Contrast-enhanced abdominal CT, axial slice 516 of 787 (counted from the lowest slice); tube voltage 140 kVp, convolution kernel I30f; slices 1.00 mm thick, 0.910 mm per pixel.
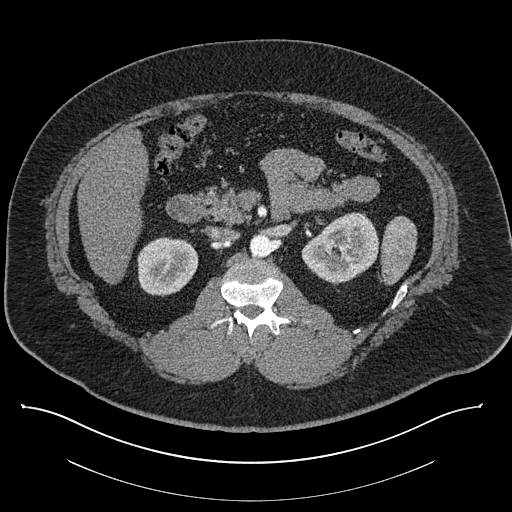
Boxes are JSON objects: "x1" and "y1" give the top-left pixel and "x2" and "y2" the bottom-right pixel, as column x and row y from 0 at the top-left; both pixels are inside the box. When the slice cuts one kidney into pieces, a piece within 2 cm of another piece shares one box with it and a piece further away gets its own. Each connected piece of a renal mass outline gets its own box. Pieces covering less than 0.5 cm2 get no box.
Two boxes on this slice (two kidney boxes), listed by box centre from the image's left to its right. (1) Box {"x1": 137, "y1": 237, "x2": 198, "y2": 296}: right kidney (outlined area 2,907 px, about 24.1 cm2). (2) Box {"x1": 301, "y1": 212, "x2": 378, "y2": 285}: left kidney (outlined area 3,938 px, about 32.6 cm2). No renal mass outline on this slice.